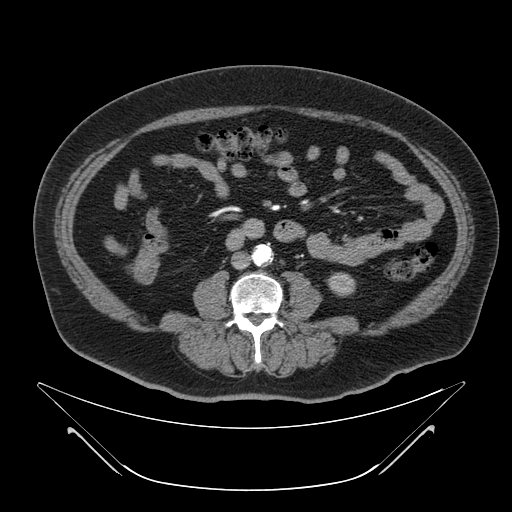
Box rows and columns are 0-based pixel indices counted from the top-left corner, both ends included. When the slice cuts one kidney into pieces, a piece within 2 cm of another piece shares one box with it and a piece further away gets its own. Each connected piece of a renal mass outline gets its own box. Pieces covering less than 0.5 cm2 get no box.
This is axial slice 13 of 64 (slice 1 is the lowest) of an abdominal CT with contrast; each pixel is 0.977 mm and the slice is 4.00 mm thick. Left kidney, box rows 272–296, columns 326–355 (outlined area 560 px, about 5.3 cm2). This slice carries no renal mass outline.
Acquired at 120 kVp and reconstructed with the B kernel.